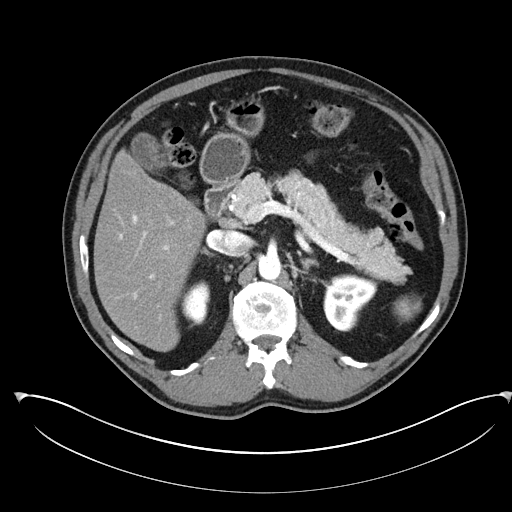
One axial slice (153 of 302, counting up from the lowest) of an arterial-phase abdominal CT acquired with 100 kVp, kernel I30f; each pixel is 0.875 mm and the slice is 5.00 mm thick.
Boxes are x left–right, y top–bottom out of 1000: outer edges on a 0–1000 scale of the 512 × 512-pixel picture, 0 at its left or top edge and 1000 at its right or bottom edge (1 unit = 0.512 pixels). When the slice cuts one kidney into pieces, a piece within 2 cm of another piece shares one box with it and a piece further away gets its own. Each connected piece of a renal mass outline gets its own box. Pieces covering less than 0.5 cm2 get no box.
Two boxes on this slice (two kidney boxes), listed by box centre from the image's left to its right. (1) Right kidney, box x 354–412, y 547–637 out of 1000 (outlined area 1,009 px, about 7.7 cm2). (2) Left kidney at x 631–738, y 535–648 out of 1000 (outlined area 2,230 px, about 17.1 cm2). No renal mass is outlined on this slice.